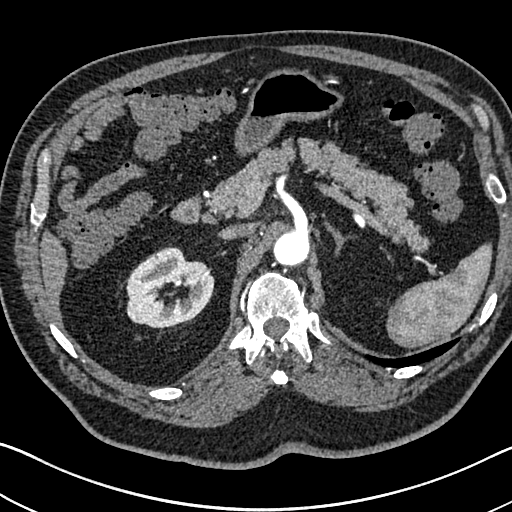
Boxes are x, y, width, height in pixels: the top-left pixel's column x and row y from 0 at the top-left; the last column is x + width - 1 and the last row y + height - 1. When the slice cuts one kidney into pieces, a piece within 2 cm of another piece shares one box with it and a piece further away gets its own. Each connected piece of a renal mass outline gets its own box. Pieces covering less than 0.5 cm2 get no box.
Arterial-phase contrast-enhanced abdominal CT, axial slice 497 of 705 (counted from the lowest slice); 1.00 mm thick, 0.703 mm per pixel. Right kidney, box x 126, y 247, width 89, height 83 (outlined area 5,130 px, about 25.4 cm2). This slice carries no renal mass outline.
Tube voltage 120 kVp; convolution kernel I30f.